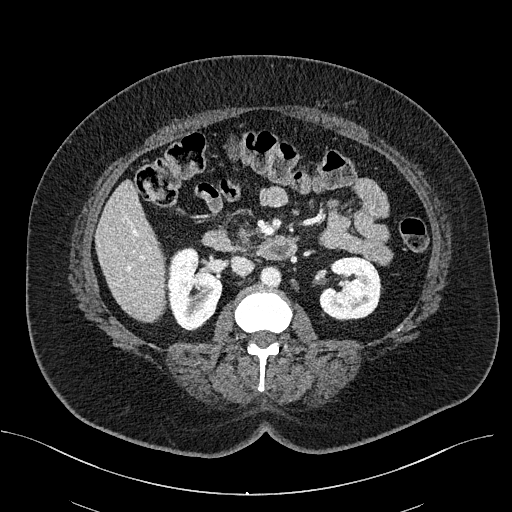
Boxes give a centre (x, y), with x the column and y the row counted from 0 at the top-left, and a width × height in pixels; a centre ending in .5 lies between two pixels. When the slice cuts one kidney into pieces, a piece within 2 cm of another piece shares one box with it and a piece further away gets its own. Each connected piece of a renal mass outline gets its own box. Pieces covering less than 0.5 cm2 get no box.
This is axial slice 292 of 470 (slice 1 is the lowest) of an abdominal CT with contrast; each pixel is 0.824 mm and the slice is 2.00 mm thick. Boxed on this slice (two kidney boxes), listed by box centre from the image's left to its right: (1) Right kidney, box centre (194, 288.5), 57 × 84 pixels (outlined area 3,469 px, about 23.6 cm2). (2) Left kidney, box centre (350, 288), 65 × 65 pixels (outlined area 3,042 px, about 20.7 cm2). This slice carries no renal mass outline.
Acquired at 100 kVp and reconstructed with the I40f kernel.